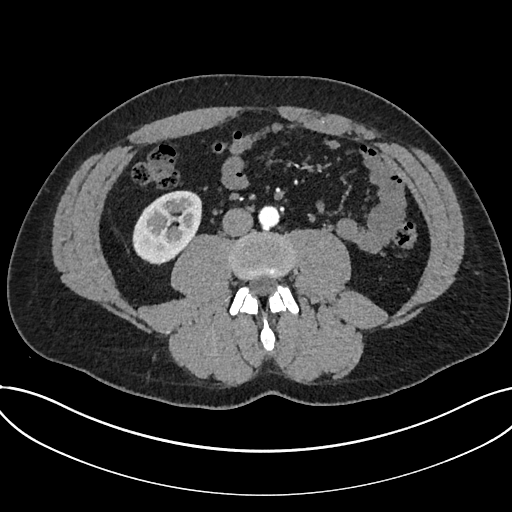
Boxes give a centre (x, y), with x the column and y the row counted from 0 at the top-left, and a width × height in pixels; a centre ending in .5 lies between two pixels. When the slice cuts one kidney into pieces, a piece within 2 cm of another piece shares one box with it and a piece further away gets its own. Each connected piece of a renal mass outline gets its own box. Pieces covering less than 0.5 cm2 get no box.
Slice 305/735 of a contrast-enhanced abdominal CT in the arterial phase, counting up from the lowest; pixel size 0.789 mm, slice thickness 1.00 mm. Box centre (167, 226.5), 71 × 74 pixels: kidney (outlined area 3,766 px, about 23.4 cm2).
Tube voltage 120 kVp; convolution kernel I30f.